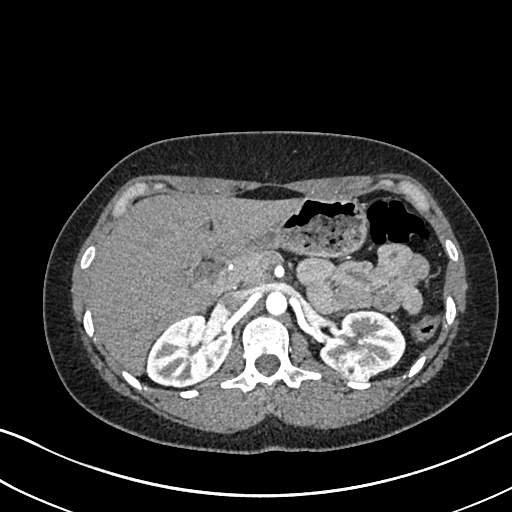
Arterial-phase contrast-enhanced abdominal CT, axial slice 459 of 612 (counted from the lowest slice); tube voltage 120 kVp, convolution kernel I30f; slices 1.00 mm thick, 0.703 mm per pixel.
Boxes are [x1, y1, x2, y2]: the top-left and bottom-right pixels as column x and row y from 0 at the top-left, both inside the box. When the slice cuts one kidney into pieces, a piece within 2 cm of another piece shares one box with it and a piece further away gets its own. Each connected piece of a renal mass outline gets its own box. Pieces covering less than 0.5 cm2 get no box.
Three boxes on this slice (two kidney boxes and one renal mass box), listed by box centre from the image's left to its right. (1) Right kidney, box [146, 314, 231, 387] (outlined area 4,449 px, about 22.0 cm2). (2) Left renal mass, box [337, 348, 373, 380] (outlined area 1,000 px, about 4.9 cm2). (3) Left kidney at [319, 309, 405, 376] (outlined area 3,419 px, about 16.9 cm2).